Abdominal CT with intravenous contrast, arterial phase, axial plane, 120 kVp, kernel B30f. Slice 479/723 from the bottom of the scan; thickness 1.00 mm; pixel size 0.895 mm.
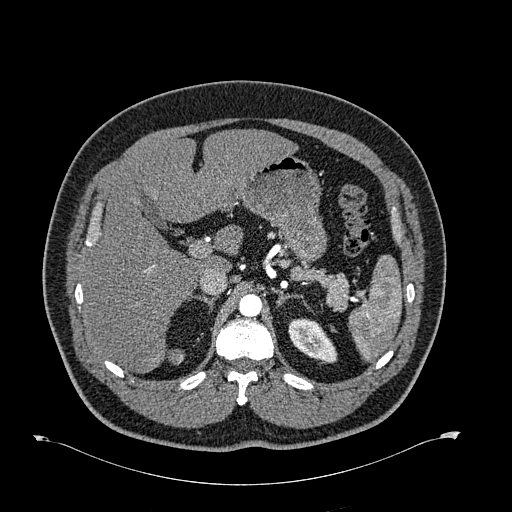
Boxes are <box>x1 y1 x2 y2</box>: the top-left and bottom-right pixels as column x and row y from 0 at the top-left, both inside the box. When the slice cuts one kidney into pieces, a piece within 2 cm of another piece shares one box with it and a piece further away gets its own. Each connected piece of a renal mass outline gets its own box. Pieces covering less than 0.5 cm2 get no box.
Left kidney: <box>288 318 337 363</box> (outlined area 1,477 px, about 11.8 cm2). No renal mass is outlined on this slice.